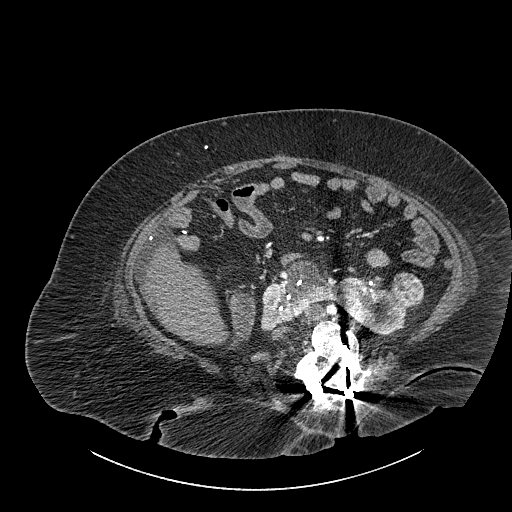
Abdominal CT with intravenous contrast, axial plane, 140 kVp, kernel I30f. Slice 488/834 from the bottom of the scan; thickness 1.00 mm; pixel size 0.977 mm.
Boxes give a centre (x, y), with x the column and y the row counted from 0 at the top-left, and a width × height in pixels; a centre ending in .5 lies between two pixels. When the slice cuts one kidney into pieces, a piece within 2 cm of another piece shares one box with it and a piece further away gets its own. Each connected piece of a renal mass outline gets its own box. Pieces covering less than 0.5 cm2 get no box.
One kidney box and one renal mass box on this slice; by box centre, from the image's left to its right: (1) Box centre (335.5, 297.5), 152 × 76 pixels: kidney crossing the body midline (outlined area 5,683 px, about 54.2 cm2). (2) Renal mass, box centre (407, 289), 33 × 35 pixels (outlined area 924 px, about 8.8 cm2).